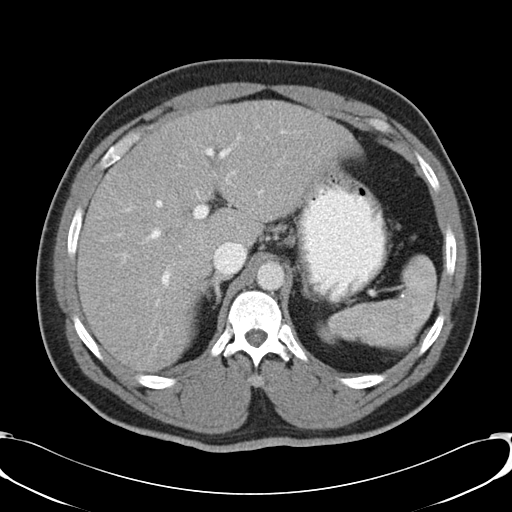
Contrast-enhanced abdominal CT, axial slice 32 of 48 (counted from the lowest slice); tube voltage 120 kVp, convolution kernel B30f; slices 5.00 mm thick, 0.736 mm per pixel.
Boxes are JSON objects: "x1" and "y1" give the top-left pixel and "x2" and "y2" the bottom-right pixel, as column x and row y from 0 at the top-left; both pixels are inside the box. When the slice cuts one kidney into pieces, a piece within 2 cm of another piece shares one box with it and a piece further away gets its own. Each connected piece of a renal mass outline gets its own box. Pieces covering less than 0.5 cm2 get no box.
Left kidney at {"x1": 317, "y1": 321, "x2": 339, "y2": 344} (outlined area 309 px, about 1.7 cm2). No renal mass is outlined on this slice.